Axial slice 61 of 103 of a contrast-enhanced abdominal CT (slice 1 is the lowest), 120 kVp, kernel STANDARD; 2.50 mm slice thickness and 0.736 mm pixels.
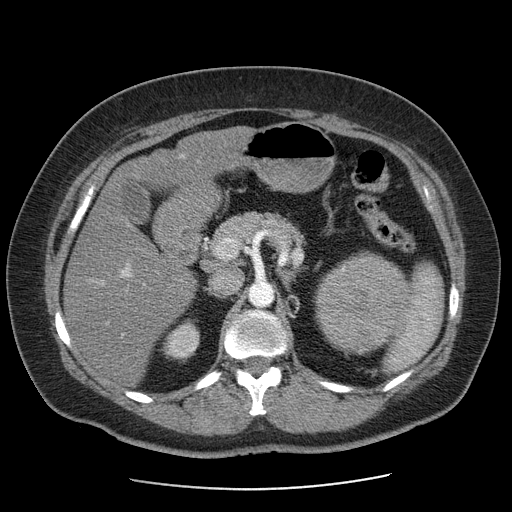
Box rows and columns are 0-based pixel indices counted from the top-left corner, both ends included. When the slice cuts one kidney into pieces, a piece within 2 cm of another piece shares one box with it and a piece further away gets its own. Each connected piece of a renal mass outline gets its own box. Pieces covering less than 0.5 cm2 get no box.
Boxed on this slice (one kidney box and one renal mass box), listed by box centre from the image's left to its right: (1) Right kidney, box rows 319–361, columns 163–199 (outlined area 1,133 px, about 6.1 cm2). (2) Left renal mass, box rows 250–356, columns 313–409 (outlined area 7,552 px, about 40.9 cm2); it sits over 1 cm from every kidney outline on this slice, but the same outlined renal mass comes within 1 cm of the kidney on another slice.